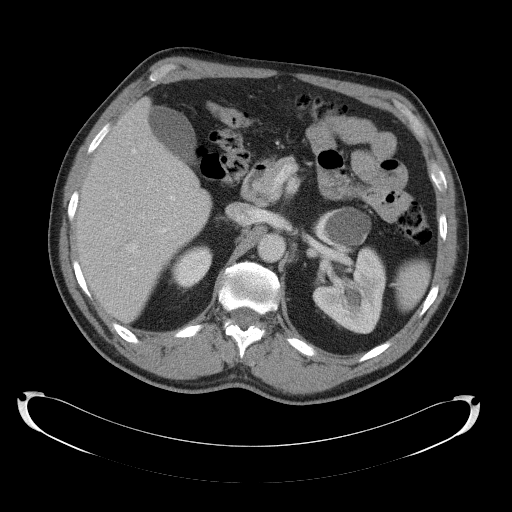
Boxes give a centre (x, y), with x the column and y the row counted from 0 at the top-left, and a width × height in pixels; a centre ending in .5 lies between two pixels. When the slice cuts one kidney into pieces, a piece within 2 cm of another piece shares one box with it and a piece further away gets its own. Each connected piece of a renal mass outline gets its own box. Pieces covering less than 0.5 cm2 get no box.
Slice 78/145 of a contrast-enhanced abdominal CT, counting up from the lowest; pixel size 0.859 mm, slice thickness 5.00 mm. Two kidney boxes on this slice; by box centre, from the image's left to its right: (1) Right kidney, box centre (190.5, 267.5), 44 × 46 pixels (outlined area 1,356 px, about 10.0 cm2). (2) Left kidney, box centre (349, 270), 75 × 127 pixels (outlined area 5,960 px, about 44.0 cm2). This slice carries no renal mass outline.
Scan settings: 120 kVp, B41f reconstruction kernel.